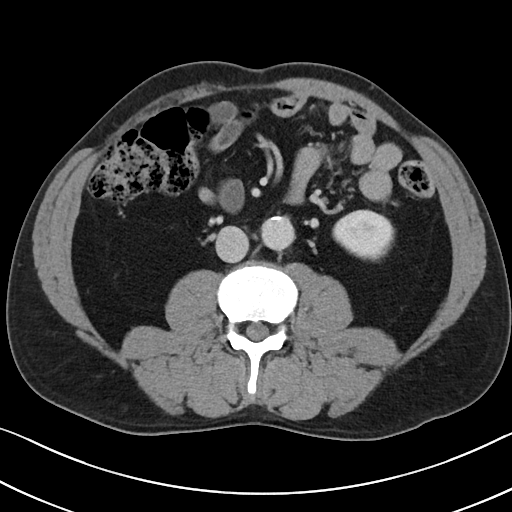
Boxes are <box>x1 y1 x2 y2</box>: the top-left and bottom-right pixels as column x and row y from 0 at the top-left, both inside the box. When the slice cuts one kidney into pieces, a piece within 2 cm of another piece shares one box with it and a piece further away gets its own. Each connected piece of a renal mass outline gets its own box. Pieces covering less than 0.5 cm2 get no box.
Slice 54/101 of a contrast-enhanced abdominal CT, counting up from the lowest; pixel size 0.684 mm, slice thickness 5.00 mm. Left kidney: <box>332 209 394 261</box> (outlined area 2,407 px, about 11.2 cm2). This slice carries no renal mass outline.
Acquired at 100 kVp and reconstructed with the I40f kernel.